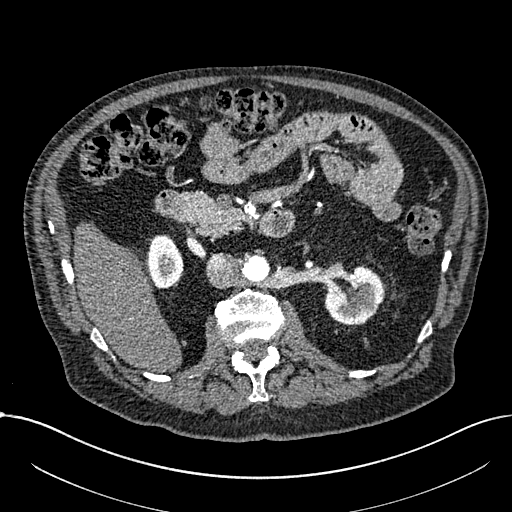
One axial slice (415 of 1059, counting up from the lowest) of an arterial-phase abdominal CT acquired with 100 kVp, kernel I30f; each pixel is 0.811 mm and the slice is 1.00 mm thick.
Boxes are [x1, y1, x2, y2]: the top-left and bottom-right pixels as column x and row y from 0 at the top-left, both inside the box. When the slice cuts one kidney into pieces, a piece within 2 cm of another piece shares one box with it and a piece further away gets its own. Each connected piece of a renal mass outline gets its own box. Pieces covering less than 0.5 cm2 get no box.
Boxed on this slice (two kidney boxes), listed by box centre from the image's left to its right: (1) Right part of the midline-crossing kidney, box [148, 234, 183, 288] (outlined area 1,556 px, about 10.2 cm2). (2) Box [324, 266, 385, 325]: left part of the midline-crossing kidney (outlined area 2,574 px, about 16.9 cm2). This slice carries no renal mass outline.